Axial slice 97 of 227 of a contrast-enhanced abdominal CT in the arterial phase (slice 1 is the lowest), 120 kVp, kernel I31f; 3.00 mm slice thickness and 0.816 mm pixels.
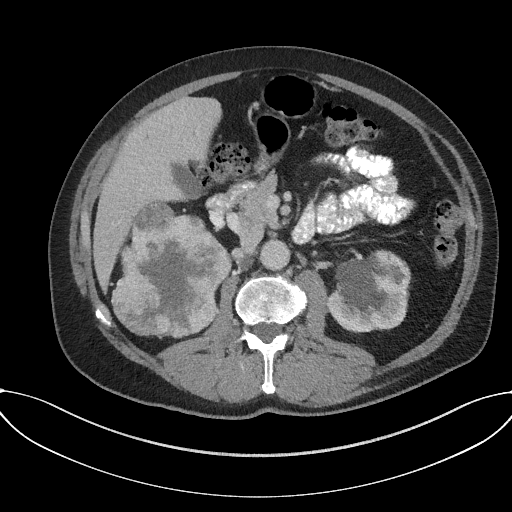
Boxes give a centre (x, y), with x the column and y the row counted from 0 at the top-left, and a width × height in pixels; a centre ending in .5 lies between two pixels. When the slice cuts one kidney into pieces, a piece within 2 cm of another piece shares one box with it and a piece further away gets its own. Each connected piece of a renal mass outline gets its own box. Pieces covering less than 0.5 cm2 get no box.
Two boxes on this slice (one kidney box and one renal mass box), listed by box centre from the image's left to its right. (1) Box centre (171, 269.5), 121 × 136 pixels: right renal mass (outlined area 11,781 px, about 78.5 cm2); here it is more than 1 cm from any kidney outline, though on another slice the same outlined renal mass lies within 1 cm of the kidney. (2) Left kidney in a box with centre (369, 290.5), 85 × 84 pixels (outlined area 5,453 px, about 36.3 cm2).